Axial slice 421 of 612 of a contrast-enhanced abdominal CT in the arterial phase (slice 1 is the lowest), 120 kVp, kernel I30f; 1.00 mm slice thickness and 0.703 mm pixels.
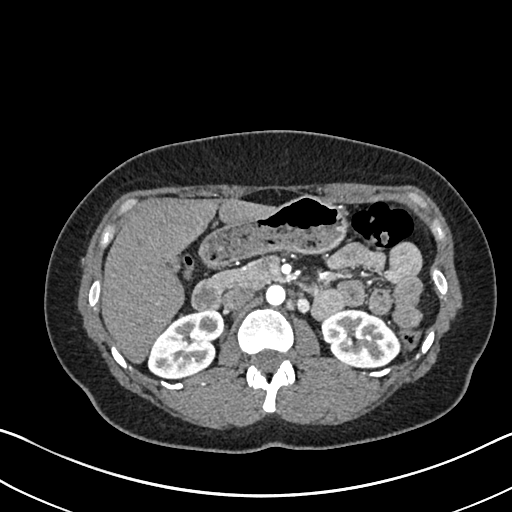
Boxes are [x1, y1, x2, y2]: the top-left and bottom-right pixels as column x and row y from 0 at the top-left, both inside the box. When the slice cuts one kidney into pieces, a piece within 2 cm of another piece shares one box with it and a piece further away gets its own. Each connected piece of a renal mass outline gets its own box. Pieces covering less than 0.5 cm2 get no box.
Boxed on this slice (two kidney boxes), listed by box centre from the image's left to its right: (1) Right kidney, box [147, 309, 223, 379] (outlined area 3,783 px, about 18.7 cm2). (2) Box [321, 308, 400, 368]: left kidney (outlined area 3,572 px, about 17.7 cm2). No renal mass outline on this slice.